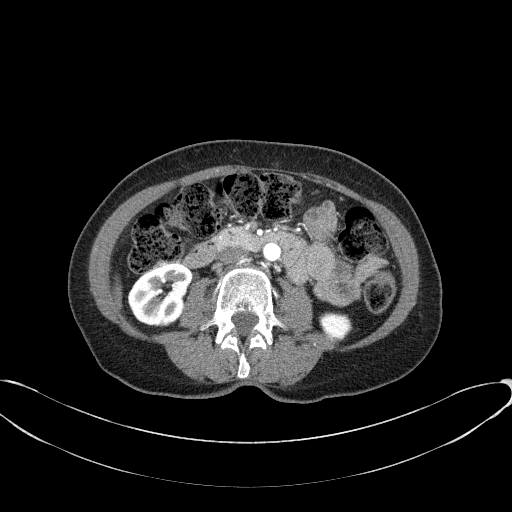
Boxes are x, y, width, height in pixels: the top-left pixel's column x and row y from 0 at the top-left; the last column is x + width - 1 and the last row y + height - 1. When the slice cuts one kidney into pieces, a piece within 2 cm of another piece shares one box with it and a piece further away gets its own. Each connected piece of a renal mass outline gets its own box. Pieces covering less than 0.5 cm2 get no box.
Slice 23/77 of a contrast-enhanced abdominal CT in the arterial phase, counting up from the lowest; pixel size 0.809 mm, slice thickness 3.00 mm. Two boxes on this slice (two kidney boxes), listed by box centre from the image's left to its right. (1) Right kidney, box x 127, y 263, width 68, height 64 (outlined area 3,098 px, about 20.3 cm2). (2) Left kidney at x 319, y 312, width 34, height 30 (outlined area 737 px, about 4.8 cm2). No renal mass is outlined on this slice.
Scan settings: 100 kVp, B41f reconstruction kernel.